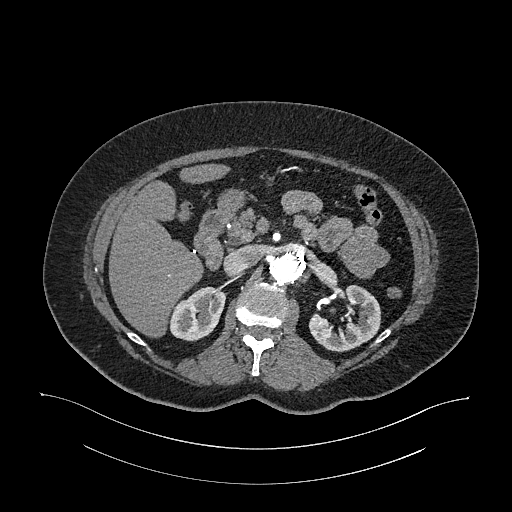
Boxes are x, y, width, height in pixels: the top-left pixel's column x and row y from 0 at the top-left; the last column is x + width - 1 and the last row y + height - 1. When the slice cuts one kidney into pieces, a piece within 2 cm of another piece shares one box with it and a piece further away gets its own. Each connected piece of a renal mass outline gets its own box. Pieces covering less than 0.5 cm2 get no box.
Slice 698/987 of a contrast-enhanced abdominal CT in the arterial phase, counting up from the lowest; pixel size 0.977 mm, slice thickness 1.00 mm. Two kidney boxes on this slice; by box centre, from the image's left to its right: (1) Box x 168, y 286, width 58, height 56: right kidney (outlined area 2,248 px, about 21.4 cm2). (2) Box x 308, y 285, width 74, height 68: left kidney (outlined area 2,913 px, about 27.8 cm2). This slice carries no renal mass outline.
Acquired at 120 kVp and reconstructed with the I26f kernel.